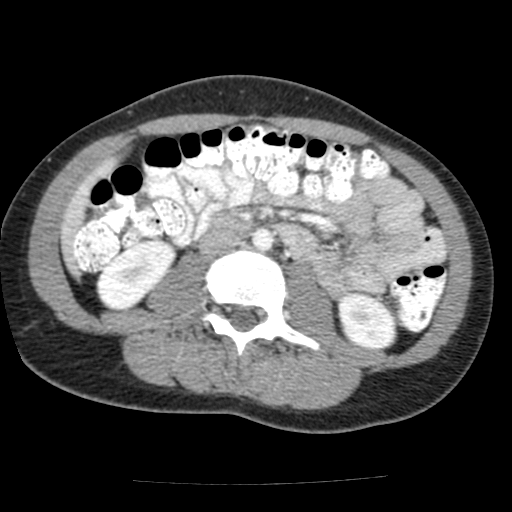
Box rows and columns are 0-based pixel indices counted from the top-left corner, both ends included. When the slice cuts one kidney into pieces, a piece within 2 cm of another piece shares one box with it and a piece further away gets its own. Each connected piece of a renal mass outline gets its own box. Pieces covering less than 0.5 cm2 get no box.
This is axial slice 70 of 117 (slice 1 is the lowest) of an arterial-phase abdominal CT with contrast; each pixel is 0.518 mm and the slice is 3.00 mm thick. Boxed on this slice (two kidney boxes), listed by box centre from the image's left to its right: (1) Box rows 239–311, columns 95–177: right kidney (outlined area 3,790 px, about 10.2 cm2). (2) Box rows 291–349, columns 337–398: left kidney (outlined area 2,696 px, about 7.2 cm2). No renal mass is outlined on this slice.
Acquired at 120 kVp and reconstructed with the FC12 kernel.